Arterial-phase contrast-enhanced abdominal CT, axial slice 531 of 673 (counted from the lowest slice); tube voltage 120 kVp, convolution kernel I30f; slices 1.00 mm thick, 0.855 mm per pixel.
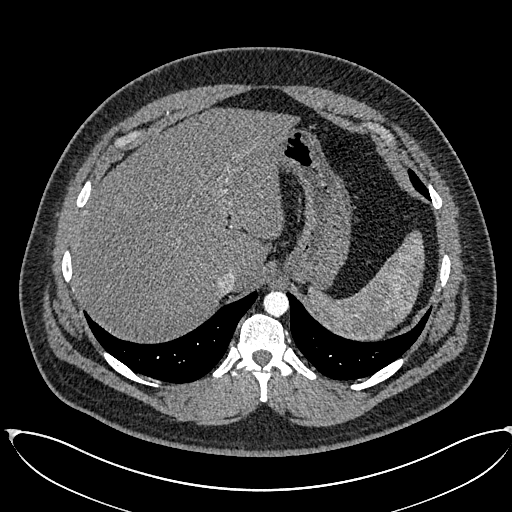
No kidney and no renal mass is outlined on this slice; the outlines in this scan cover only the kidneys and the renal masses, so nothing is said about any other organ.